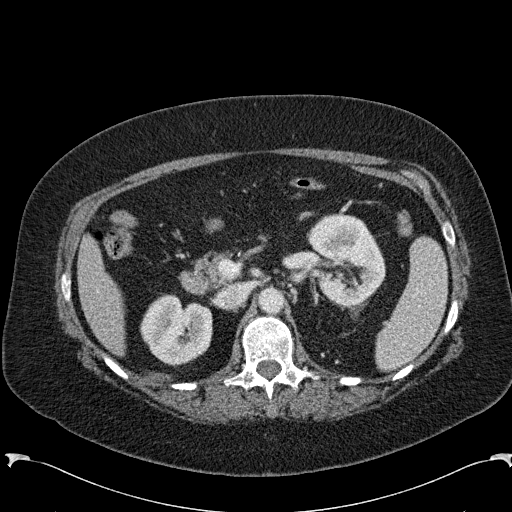
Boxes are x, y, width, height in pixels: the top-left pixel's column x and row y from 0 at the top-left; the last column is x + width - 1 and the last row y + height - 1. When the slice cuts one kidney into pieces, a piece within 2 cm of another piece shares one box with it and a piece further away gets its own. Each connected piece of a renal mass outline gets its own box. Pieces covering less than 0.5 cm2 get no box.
This is axial slice 153 of 285 (slice 1 is the lowest) of an arterial-phase abdominal CT with contrast; each pixel is 0.762 mm and the slice is 2.00 mm thick. Boxed on this slice (two kidney boxes), listed by box centre from the image's left to its right: (1) Right kidney, box x 140, y 294, width 73, height 73 (outlined area 3,933 px, about 22.8 cm2). (2) Box x 306, y 213, width 80, height 94: left kidney (outlined area 5,453 px, about 31.6 cm2). No renal mass is outlined on this slice.
Scan settings: 120 kVp, B31f reconstruction kernel.